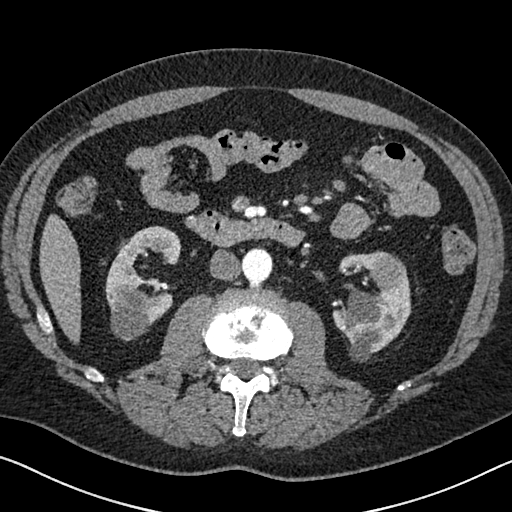
One axial slice (350 of 626, counting up from the lowest) of an arterial-phase abdominal CT acquired with 120 kVp, kernel I30f; each pixel is 0.703 mm and the slice is 1.00 mm thick.
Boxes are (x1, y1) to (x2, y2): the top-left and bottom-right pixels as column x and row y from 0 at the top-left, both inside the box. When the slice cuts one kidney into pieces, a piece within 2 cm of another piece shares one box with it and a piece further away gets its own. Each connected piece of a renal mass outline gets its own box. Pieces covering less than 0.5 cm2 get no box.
Two kidney boxes and one renal mass box on this slice; by box centre, from the image's left to its right: (1) Box (105, 226) to (180, 340): right kidney (outlined area 5,302 px, about 26.2 cm2). (2) Box (332, 250) to (411, 362): left kidney (outlined area 5,047 px, about 25.0 cm2). (3) Left renal mass from (370, 253) to (402, 290) (outlined area 905 px, about 4.5 cm2).